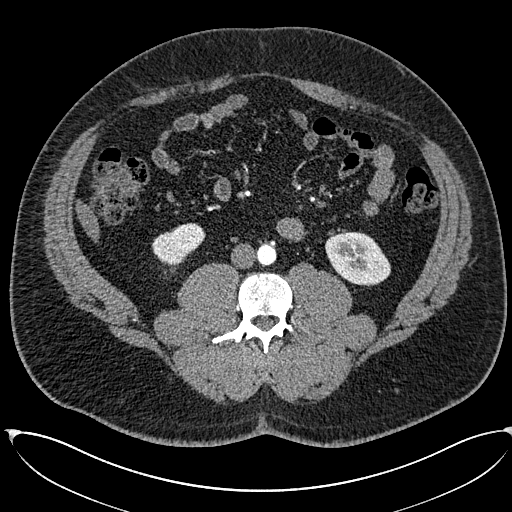
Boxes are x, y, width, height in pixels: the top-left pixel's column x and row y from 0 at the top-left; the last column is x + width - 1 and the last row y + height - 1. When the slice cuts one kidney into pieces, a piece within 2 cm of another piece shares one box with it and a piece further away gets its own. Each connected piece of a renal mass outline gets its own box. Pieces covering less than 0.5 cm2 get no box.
Arterial-phase contrast-enhanced abdominal CT, axial slice 254 of 673 (counted from the lowest slice); 1.00 mm thick, 0.855 mm per pixel. Boxed on this slice (two kidney boxes), listed by box centre from the image's left to its right: (1) Right kidney at x 152, y 223, width 54, height 43 (outlined area 1,533 px, about 11.2 cm2). (2) Left kidney, box x 325, y 231, width 66, height 56 (outlined area 2,654 px, about 19.4 cm2). This slice carries no renal mass outline.
Scan settings: 120 kVp, I30f reconstruction kernel.